One axial slice (32 of 103, counting up from the lowest) of a contrast-enhanced abdominal CT acquired with 120 kVp, kernel STANDARD; each pixel is 0.736 mm and the slice is 2.50 mm thick.
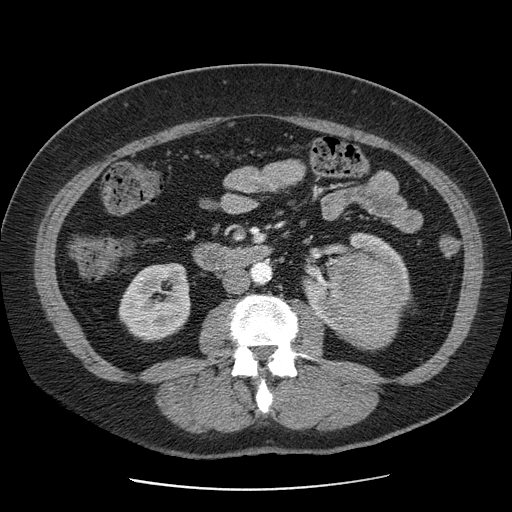
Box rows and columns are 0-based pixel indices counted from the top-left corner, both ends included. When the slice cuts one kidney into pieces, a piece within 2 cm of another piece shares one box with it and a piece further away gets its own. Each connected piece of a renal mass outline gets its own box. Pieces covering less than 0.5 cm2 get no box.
Two kidney boxes and one renal mass box on this slice; by box centre, from the image's left to its right: (1) Right kidney, box rows 262–342, columns 118–190 (outlined area 4,457 px, about 24.2 cm2). (2) Left kidney at rows 233–338, columns 302–412 (outlined area 2,719 px, about 14.7 cm2). (3) Left renal mass at rows 252–349, columns 326–411 (outlined area 6,053 px, about 32.8 cm2).